Arterial-phase contrast-enhanced abdominal CT, axial slice 421 of 538 (counted from the lowest slice); tube voltage 120 kVp, convolution kernel B30f; slices 1.00 mm thick, 0.811 mm per pixel.
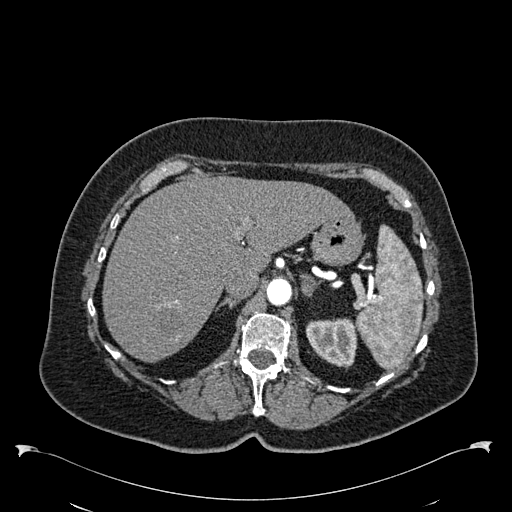
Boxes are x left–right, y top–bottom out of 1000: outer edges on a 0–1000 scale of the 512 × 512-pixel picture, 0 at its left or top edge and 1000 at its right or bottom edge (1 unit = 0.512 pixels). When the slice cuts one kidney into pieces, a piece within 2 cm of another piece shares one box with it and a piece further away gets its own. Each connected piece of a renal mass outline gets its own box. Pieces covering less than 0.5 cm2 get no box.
Left kidney, box x 596–699, y 621–721 out of 1000 (outlined area 2,002 px, about 13.2 cm2). No renal mass outline on this slice.